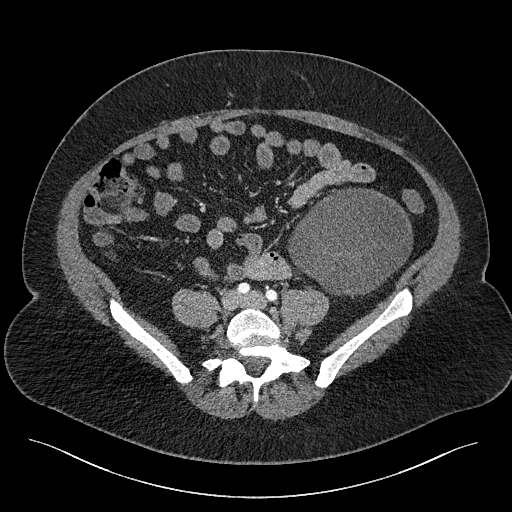
Axial slice 46 of 301 of a contrast-enhanced abdominal CT (slice 1 is the lowest), 120 kVp, kernel I40f; 2.00 mm slice thickness and 0.859 mm pixels.
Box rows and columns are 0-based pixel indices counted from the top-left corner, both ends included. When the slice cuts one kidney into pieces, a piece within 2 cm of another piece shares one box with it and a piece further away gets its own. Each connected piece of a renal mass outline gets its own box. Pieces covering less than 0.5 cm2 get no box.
Box rows 188–298, columns 288–412: left renal mass (outlined area 9,914 px, about 73.2 cm2); no kidney outline appears on this slice, but the same outlined renal mass comes within 1 cm of the kidney on another slice.